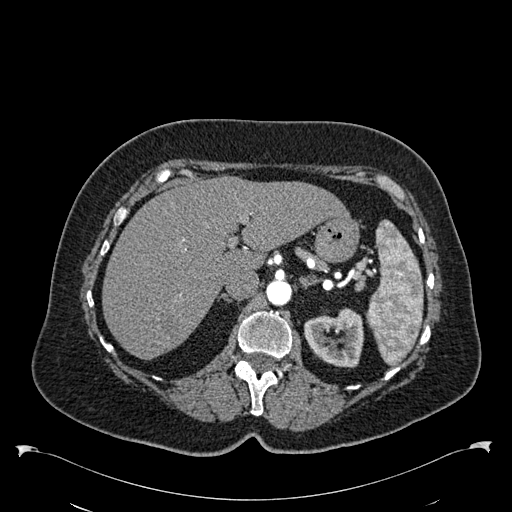
Abdominal CT with intravenous contrast, arterial phase, axial plane, 120 kVp, kernel B30f. Slice 405/538 from the bottom of the scan; thickness 1.00 mm; pixel size 0.811 mm.
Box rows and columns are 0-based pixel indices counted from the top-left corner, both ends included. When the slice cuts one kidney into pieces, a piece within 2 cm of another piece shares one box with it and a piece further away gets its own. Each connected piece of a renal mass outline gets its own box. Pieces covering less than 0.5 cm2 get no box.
Left kidney at rows 308–367, columns 304–363 (outlined area 2,593 px, about 17.0 cm2). No renal mass outline on this slice.